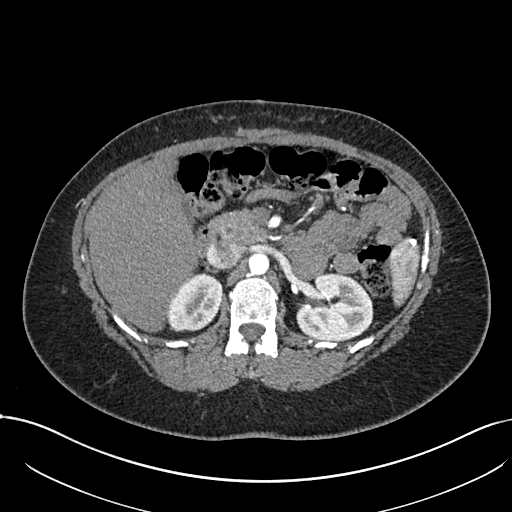
Abdominal CT with intravenous contrast, arterial phase, axial plane, 120 kVp, kernel I30f. Slice 470/738 from the bottom of the scan; thickness 1.00 mm; pixel size 0.789 mm.
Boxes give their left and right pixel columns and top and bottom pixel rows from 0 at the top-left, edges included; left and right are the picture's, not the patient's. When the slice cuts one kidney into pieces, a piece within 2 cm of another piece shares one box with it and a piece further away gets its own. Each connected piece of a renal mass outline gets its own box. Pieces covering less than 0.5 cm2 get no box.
Boxed on this slice (two kidney boxes), listed by box centre from the image's left to its right: (1) Box with left 166, top 273, right 220, bottom 331: right kidney (outlined area 2,435 px, about 15.2 cm2). (2) Left kidney, the box with left 296, top 273, right 373, bottom 341 (outlined area 4,134 px, about 25.7 cm2). No renal mass outline on this slice.